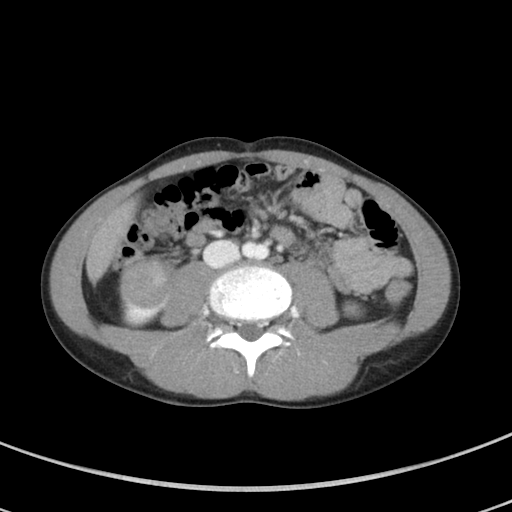
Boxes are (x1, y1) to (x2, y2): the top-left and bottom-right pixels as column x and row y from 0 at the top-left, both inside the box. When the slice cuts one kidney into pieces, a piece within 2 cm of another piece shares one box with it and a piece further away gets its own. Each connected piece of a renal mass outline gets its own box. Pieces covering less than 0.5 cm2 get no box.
This is axial slice 31 of 94 (slice 1 is the lowest) of an arterial-phase abdominal CT with contrast; each pixel is 0.551 mm and the slice is 5.00 mm thick. Two kidney boxes and one renal mass box on this slice; by box centre, from the image's left to its right: (1) Box (118, 282) to (167, 327): right kidney (outlined area 868 px, about 2.6 cm2). (2) Right renal mass, box (119, 255) to (171, 308) (outlined area 2,185 px, about 6.6 cm2). (3) Left kidney, box (342, 300) to (365, 319) (outlined area 368 px, about 1.1 cm2).
Acquired at 100 kVp and reconstructed with the I41f kernel.